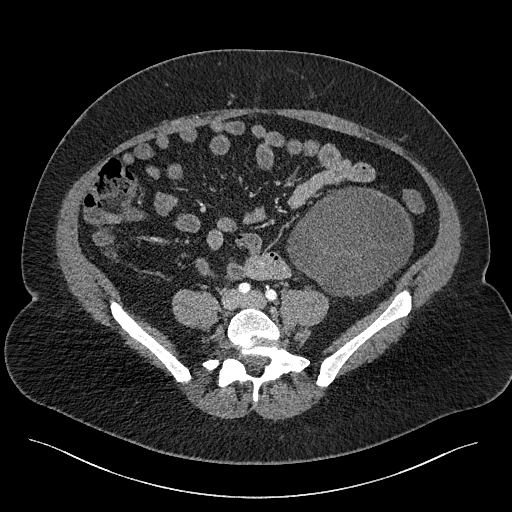
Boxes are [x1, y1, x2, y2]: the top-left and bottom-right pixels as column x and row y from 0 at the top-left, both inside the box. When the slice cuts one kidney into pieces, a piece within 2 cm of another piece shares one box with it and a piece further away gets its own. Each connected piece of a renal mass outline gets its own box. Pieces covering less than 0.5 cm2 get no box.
Contrast-enhanced abdominal CT, axial slice 47 of 301 (counted from the lowest slice); 2.00 mm thick, 0.859 mm per pixel. Left renal mass at [287, 186, 413, 299] (outlined area 10,221 px, about 75.5 cm2); no kidney outline appears on this slice, but the same outlined renal mass comes within 1 cm of the kidney on another slice.
Tube voltage 120 kVp; convolution kernel I40f.